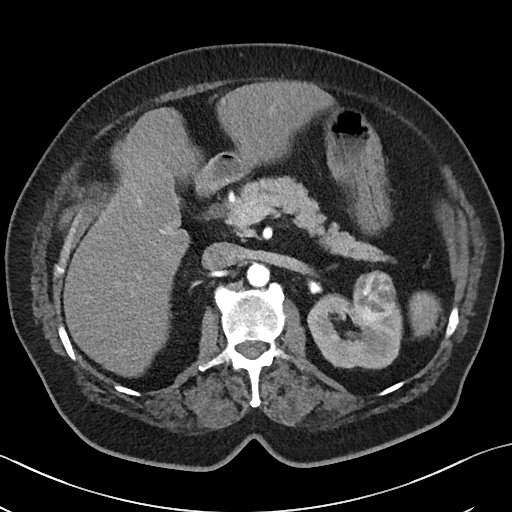
One axial slice (27 of 50, counting up from the lowest) of a contrast-enhanced abdominal CT acquired with 100 kVp, kernel I40f; each pixel is 0.723 mm and the slice is 5.00 mm thick.
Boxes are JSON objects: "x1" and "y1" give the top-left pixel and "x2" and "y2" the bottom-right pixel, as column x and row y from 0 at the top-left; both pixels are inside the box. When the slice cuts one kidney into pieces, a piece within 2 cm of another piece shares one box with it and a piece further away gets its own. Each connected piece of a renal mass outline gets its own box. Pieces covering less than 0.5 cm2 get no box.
Two boxes on this slice (one kidney box and one renal mass box), listed by box centre from the image's left to its right. (1) Left kidney, box {"x1": 307, "y1": 293, "x2": 402, "y2": 369} (outlined area 4,704 px, about 24.6 cm2). (2) Left renal mass at {"x1": 352, "y1": 270, "x2": 397, "y2": 323} (outlined area 1,908 px, about 10.0 cm2).